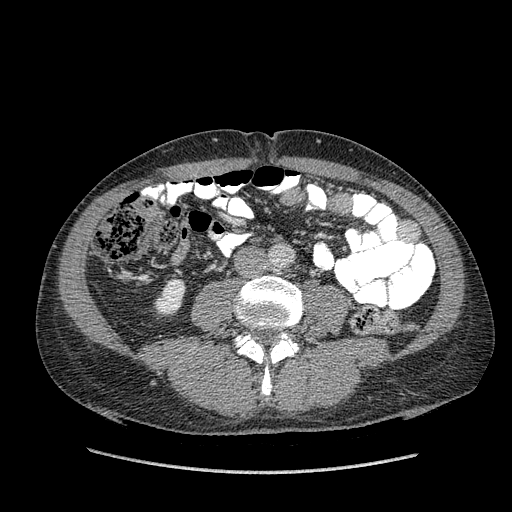
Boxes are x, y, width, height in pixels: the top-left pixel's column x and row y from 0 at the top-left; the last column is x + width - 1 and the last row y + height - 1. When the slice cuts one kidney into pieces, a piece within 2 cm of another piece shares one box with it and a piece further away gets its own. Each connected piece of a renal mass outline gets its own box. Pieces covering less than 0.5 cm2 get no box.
This is axial slice 157 of 349 (slice 1 is the lowest) of an arterial-phase abdominal CT with contrast; each pixel is 0.742 mm and the slice is 1.25 mm thick. Right kidney at x 154, y 277, width 32, height 40 (outlined area 897 px, about 4.9 cm2). No renal mass is outlined on this slice.
Scan settings: 120 kVp, STANDARD reconstruction kernel.